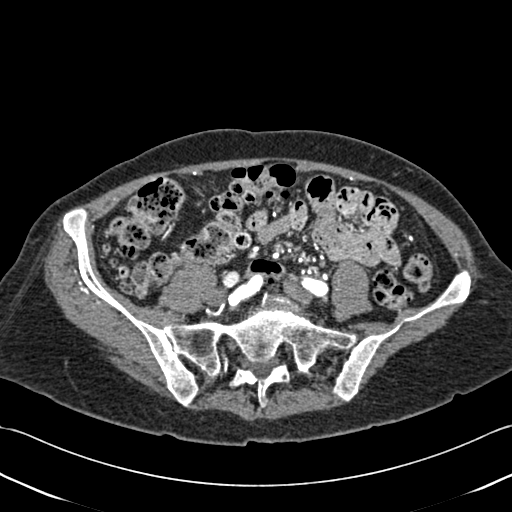
Contrast-enhanced abdominal CT, axial slice 72 of 433 (counted from the lowest slice); 1.00 mm thick, 0.672 mm per pixel. No kidney and no renal mass is outlined on this slice; the outlines in this scan cover only the kidneys and the renal masses, so nothing is said about any other organ.
Acquired at 120 kVp and reconstructed with the B30f kernel.